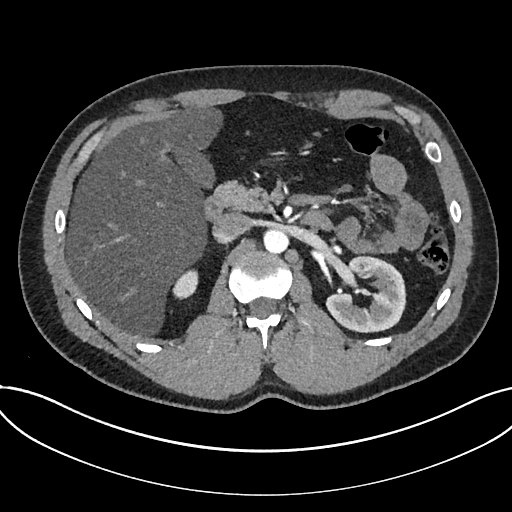
Abdominal CT with intravenous contrast, arterial phase, axial plane, 120 kVp, kernel I30f. Slice 469/735 from the bottom of the scan; thickness 1.00 mm; pixel size 0.789 mm.
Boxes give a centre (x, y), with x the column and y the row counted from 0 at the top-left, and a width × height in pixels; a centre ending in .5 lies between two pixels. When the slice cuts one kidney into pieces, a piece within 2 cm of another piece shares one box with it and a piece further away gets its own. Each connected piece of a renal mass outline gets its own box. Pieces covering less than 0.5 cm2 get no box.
Boxed on this slice (two kidney boxes), listed by box centre from the image's left to its right: (1) Box centre (185.5, 284), 26 × 31 pixels: kidney (outlined area 560 px, about 3.5 cm2). (2) Kidney, box centre (365.5, 294), 82 × 77 pixels (outlined area 4,358 px, about 27.1 cm2). This slice carries no renal mass outline.